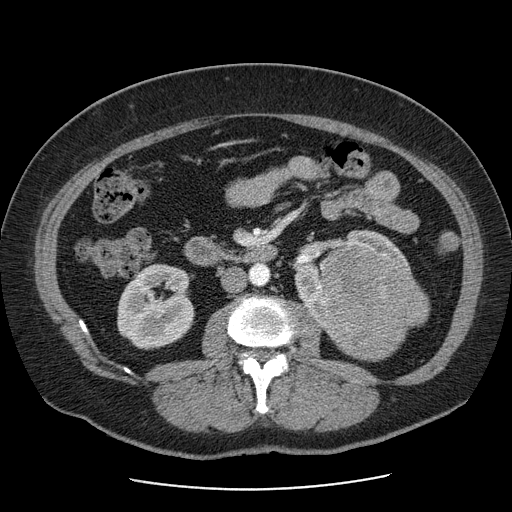
Abdominal CT with intravenous contrast, axial plane, 120 kVp, kernel STANDARD. Slice 36/103 from the bottom of the scan; thickness 2.50 mm; pixel size 0.736 mm.
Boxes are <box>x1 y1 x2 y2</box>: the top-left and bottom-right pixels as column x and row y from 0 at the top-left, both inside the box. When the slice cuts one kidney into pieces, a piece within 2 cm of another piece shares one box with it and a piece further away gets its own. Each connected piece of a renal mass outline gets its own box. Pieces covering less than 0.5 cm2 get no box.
Two kidney boxes and one renal mass box on this slice; by box centre, from the image's left to its right: (1) At <box>117 263 194 349</box>: right kidney (outlined area 5,159 px, about 28.0 cm2). (2) At <box>295 230 412 331</box>: left kidney (outlined area 2,662 px, about 14.4 cm2). (3) At <box>321 245 430 361</box>: left renal mass (outlined area 9,356 px, about 50.7 cm2).